Contrast-enhanced abdominal CT, axial slice 37 of 69 (counted from the lowest slice); tube voltage 140 kVp, convolution kernel I41f; slices 3.00 mm thick, 0.736 mm per pixel.
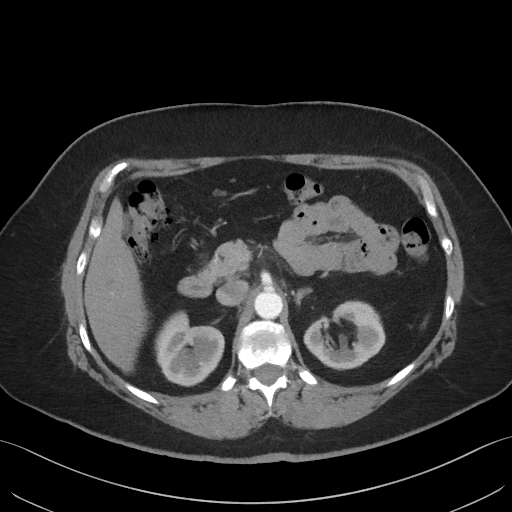
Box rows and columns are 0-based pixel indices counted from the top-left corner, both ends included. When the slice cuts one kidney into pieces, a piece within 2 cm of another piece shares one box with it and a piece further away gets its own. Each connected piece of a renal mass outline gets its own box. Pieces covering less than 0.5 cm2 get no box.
Boxed on this slice (two kidney boxes), listed by box centre from the image's left to its right: (1) Right kidney, box rows 312–386, columns 154–224 (outlined area 3,766 px, about 20.4 cm2). (2) Left kidney at rows 300–370, columns 306–385 (outlined area 3,699 px, about 20.1 cm2). No renal mass is outlined on this slice.